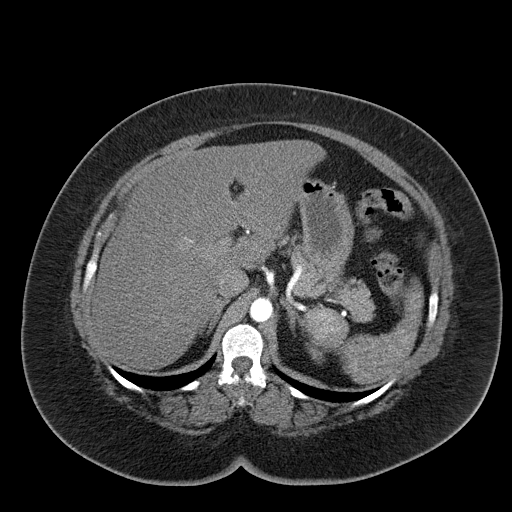
One axial slice (44 of 55, counting up from the lowest) of a contrast-enhanced abdominal CT acquired with 120 kVp, kernel B30f; each pixel is 0.908 mm and the slice is 5.00 mm thick.
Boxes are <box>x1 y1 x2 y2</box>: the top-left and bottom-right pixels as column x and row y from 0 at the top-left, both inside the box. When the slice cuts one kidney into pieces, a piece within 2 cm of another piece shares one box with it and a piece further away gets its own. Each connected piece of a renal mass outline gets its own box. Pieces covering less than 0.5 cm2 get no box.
Left kidney: <box>305 342 324 363</box> (outlined area 243 px, about 2.0 cm2). No renal mass outline on this slice.